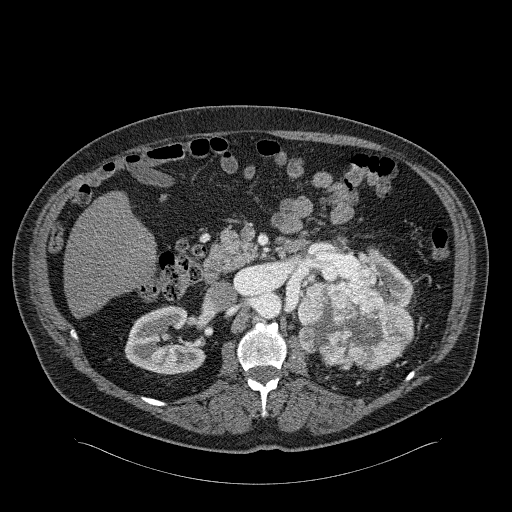
Abdominal CT with intravenous contrast, arterial phase, axial plane, 120 kVp, kernel B31f. Slice 139/326 from the bottom of the scan; thickness 2.00 mm; pixel size 0.963 mm.
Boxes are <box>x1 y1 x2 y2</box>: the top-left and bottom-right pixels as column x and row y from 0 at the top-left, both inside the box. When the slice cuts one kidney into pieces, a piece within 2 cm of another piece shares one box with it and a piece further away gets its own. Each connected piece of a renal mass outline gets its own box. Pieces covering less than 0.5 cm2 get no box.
Two kidney boxes and one renal mass box on this slice; by box centre, from the image's left to its right: (1) At <box>124 305 204 374</box>: right kidney (outlined area 3,921 px, about 36.4 cm2). (2) At <box>297 269 414 370</box>: left renal mass (outlined area 8,426 px, about 78.1 cm2). (3) Left kidney: <box>316 248 413 309</box> (outlined area 2,226 px, about 20.6 cm2).